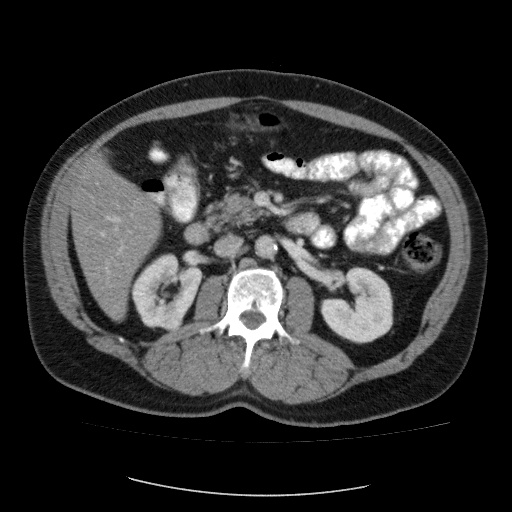
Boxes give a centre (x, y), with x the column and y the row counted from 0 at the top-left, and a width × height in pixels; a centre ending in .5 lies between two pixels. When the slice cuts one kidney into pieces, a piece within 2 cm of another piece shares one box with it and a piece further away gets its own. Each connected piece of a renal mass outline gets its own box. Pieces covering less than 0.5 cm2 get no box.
This is axial slice 54 of 87 (slice 1 is the lowest) of an abdominal CT with contrast; each pixel is 0.812 mm and the slice is 5.00 mm thick. Three boxes on this slice (two kidney boxes and one renal mass box), listed by box centre from the image's left to its right. (1) Right kidney in a box with centre (166, 290), 73 × 75 pixels (outlined area 3,368 px, about 22.2 cm2). (2) Right renal mass, box centre (170.5, 320.5), 24 × 24 pixels (outlined area 418 px, about 2.8 cm2). (3) Left kidney, box centre (357, 305), 73 × 77 pixels (outlined area 3,940 px, about 26.0 cm2).
Tube voltage 120 kVp; convolution kernel FC12.